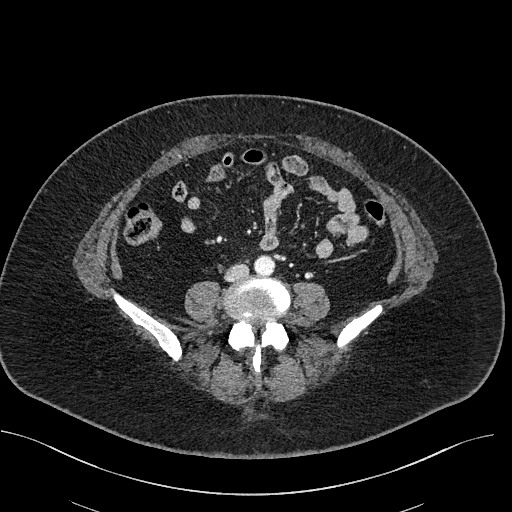
Slice 219/470 of a contrast-enhanced abdominal CT, counting up from the lowest; pixel size 0.824 mm, slice thickness 2.00 mm. This slice carries no outline: it lies beyond the outlined kidneys and beyond every outlined renal mass. Other organs are not outlined in this scan.
Tube voltage 100 kVp; convolution kernel I40f.